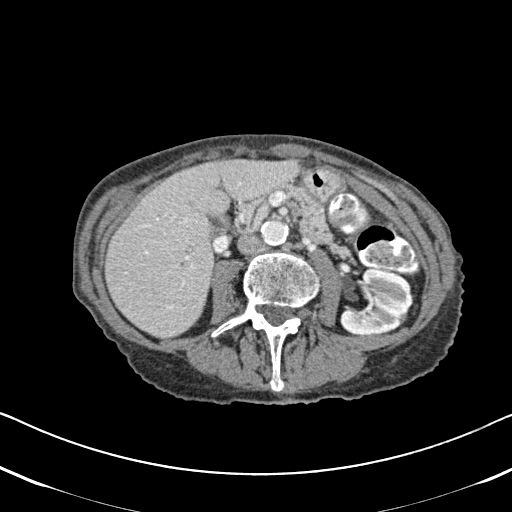
Abdominal CT with intravenous contrast, arterial phase, axial plane, 120 kVp, kernel B31f. Slice 284/620 from the bottom of the scan; thickness 2.00 mm; pixel size 0.637 mm.
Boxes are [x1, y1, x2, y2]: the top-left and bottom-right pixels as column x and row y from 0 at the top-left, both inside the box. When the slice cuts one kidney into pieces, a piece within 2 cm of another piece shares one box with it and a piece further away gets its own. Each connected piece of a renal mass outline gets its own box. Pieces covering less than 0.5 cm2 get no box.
Left kidney, box [340, 268, 413, 336] (outlined area 3,486 px, about 14.1 cm2). This slice carries no renal mass outline.